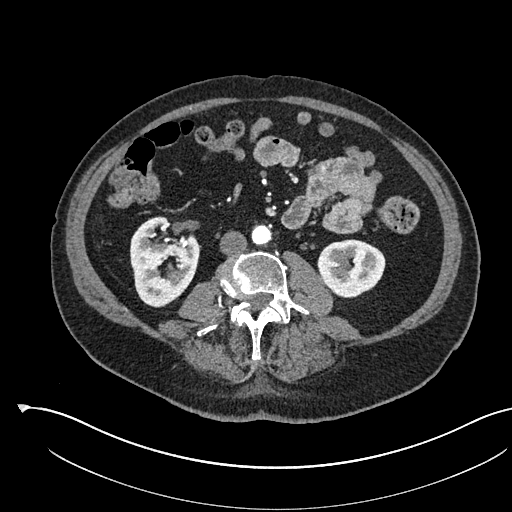
Abdominal CT with intravenous contrast, arterial phase, axial plane, 120 kVp, kernel I30f. Slice 255/541 from the bottom of the scan; thickness 1.00 mm; pixel size 0.834 mm.
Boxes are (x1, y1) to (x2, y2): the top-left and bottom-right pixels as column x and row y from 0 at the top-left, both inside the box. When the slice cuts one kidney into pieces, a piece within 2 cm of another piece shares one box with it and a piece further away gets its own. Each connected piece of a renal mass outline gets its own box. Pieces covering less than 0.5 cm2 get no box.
Boxed on this slice (two kidney boxes), listed by box centre from the image's left to its right: (1) Right kidney, box (129, 216) to (199, 307) (outlined area 4,618 px, about 32.1 cm2). (2) Left kidney, box (317, 239) to (385, 297) (outlined area 3,078 px, about 21.4 cm2). No renal mass outline on this slice.